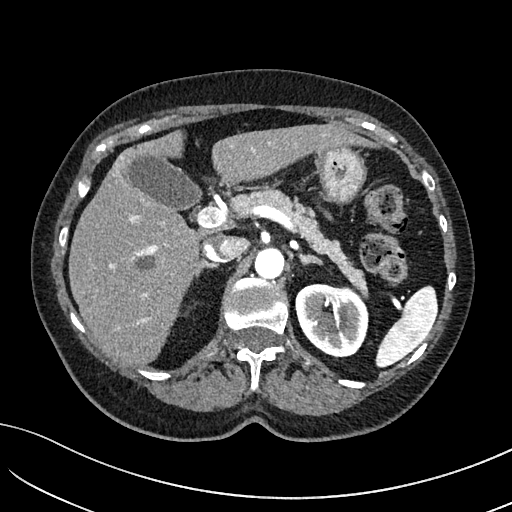
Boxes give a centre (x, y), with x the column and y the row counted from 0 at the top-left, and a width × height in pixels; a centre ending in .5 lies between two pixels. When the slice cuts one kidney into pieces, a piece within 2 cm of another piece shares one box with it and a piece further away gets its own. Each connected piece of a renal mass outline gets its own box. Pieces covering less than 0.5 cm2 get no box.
Slice 105/234 of a contrast-enhanced abdominal CT in the arterial phase, counting up from the lowest; pixel size 0.699 mm, slice thickness 2.00 mm. Left kidney in a box with centre (331.5, 320), 74 × 75 pixels (outlined area 4,262 px, about 20.8 cm2). No renal mass outline on this slice.
Scan settings: 100 kVp, I40f reconstruction kernel.